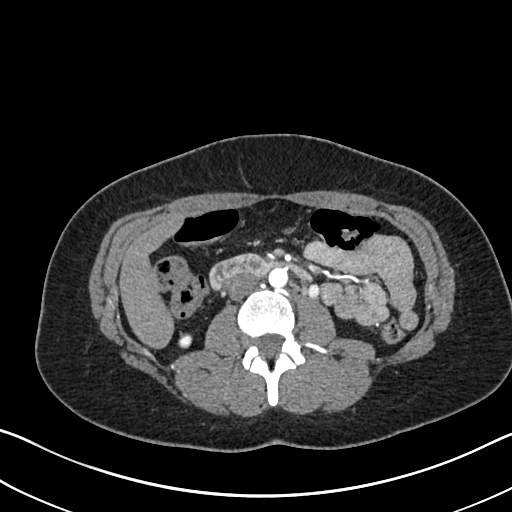
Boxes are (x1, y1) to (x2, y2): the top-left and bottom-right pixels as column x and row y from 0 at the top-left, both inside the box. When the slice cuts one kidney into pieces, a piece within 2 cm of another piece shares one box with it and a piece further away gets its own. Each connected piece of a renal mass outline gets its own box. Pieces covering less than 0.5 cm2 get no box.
Arterial-phase contrast-enhanced abdominal CT, axial slice 355 of 612 (counted from the lowest slice); 1.00 mm thick, 0.703 mm per pixel. Box (179, 334) to (191, 346): right kidney (outlined area 115 px, about 0.6 cm2). No renal mass outline on this slice.
Tube voltage 120 kVp; convolution kernel I30f.